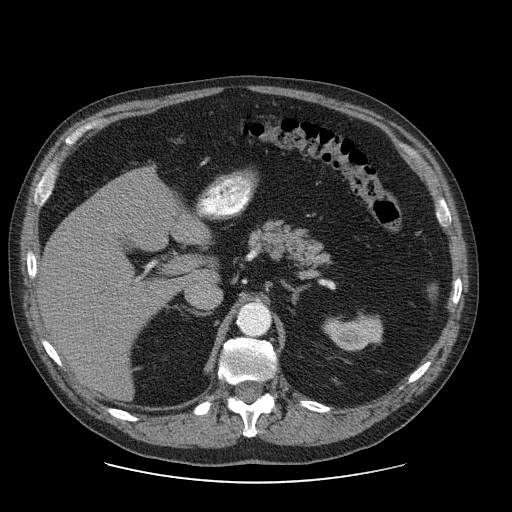
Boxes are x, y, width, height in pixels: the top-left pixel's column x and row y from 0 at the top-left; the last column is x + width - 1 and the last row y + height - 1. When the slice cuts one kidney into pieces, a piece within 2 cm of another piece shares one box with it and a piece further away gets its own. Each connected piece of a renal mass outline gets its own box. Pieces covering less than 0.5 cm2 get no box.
This is axial slice 61 of 103 (slice 1 is the lowest) of an abdominal CT with contrast; each pixel is 0.820 mm and the slice is 2.50 mm thick. Left kidney, box x 325, y 316, width 59, height 36 (outlined area 1,510 px, about 10.2 cm2). This slice carries no renal mass outline.
Tube voltage 120 kVp; convolution kernel STANDARD.